Abdominal CT with intravenous contrast, arterial phase, axial plane, 120 kVp, kernel STANDARD. Slice 79/106 from the bottom of the scan; thickness 2.50 mm; pixel size 0.742 mm.
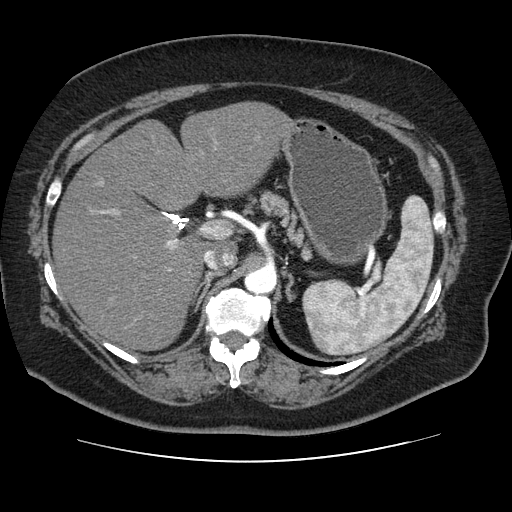
Outside the outlined region: no kidney outline and no renal mass outline on this slice. The scan's outlines cover only kidneys and renal masses; no other organ is outlined.